Axial slice 460 of 553 of a contrast-enhanced abdominal CT in the arterial phase (slice 1 is the lowest), 120 kVp, kernel B20f; 1.00 mm slice thickness and 0.773 mm pixels.
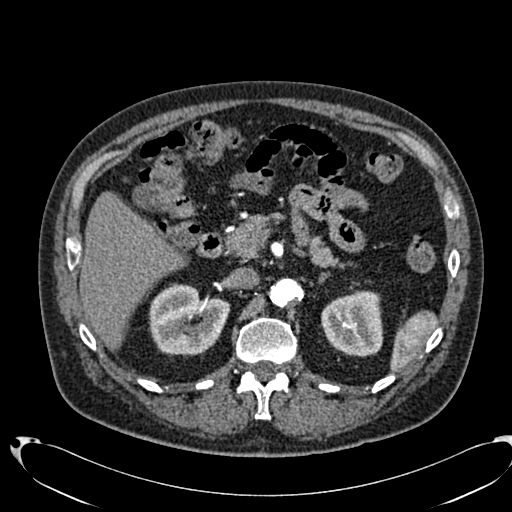
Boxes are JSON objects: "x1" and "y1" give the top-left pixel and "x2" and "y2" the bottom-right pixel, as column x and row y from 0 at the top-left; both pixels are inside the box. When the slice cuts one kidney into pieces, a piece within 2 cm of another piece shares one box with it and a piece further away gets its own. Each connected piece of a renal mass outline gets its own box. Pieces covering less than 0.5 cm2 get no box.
Two boxes on this slice (two kidney boxes), listed by box centre from the image's left to its right. (1) Right kidney at {"x1": 150, "y1": 284, "x2": 230, "y2": 355} (outlined area 4,405 px, about 26.4 cm2). (2) Left kidney, box {"x1": 321, "y1": 291, "x2": 383, "y2": 356} (outlined area 3,274 px, about 19.6 cm2). No renal mass is outlined on this slice.